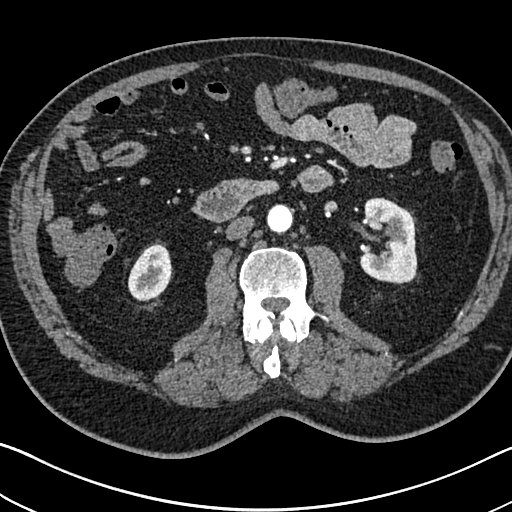
Abdominal CT with intravenous contrast, arterial phase, axial plane, 120 kVp, kernel I30f. Slice 375/705 from the bottom of the scan; thickness 1.00 mm; pixel size 0.703 mm.
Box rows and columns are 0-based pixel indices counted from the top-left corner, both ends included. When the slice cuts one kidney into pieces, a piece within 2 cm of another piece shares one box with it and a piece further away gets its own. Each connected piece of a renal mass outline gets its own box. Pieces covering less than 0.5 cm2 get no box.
Two kidney boxes on this slice; by box centre, from the image's left to its right: (1) Right kidney at rows 241–301, columns 128–171 (outlined area 1,930 px, about 9.5 cm2). (2) Left kidney at rows 197–284, columns 359–417 (outlined area 3,963 px, about 19.6 cm2). No renal mass is outlined on this slice.